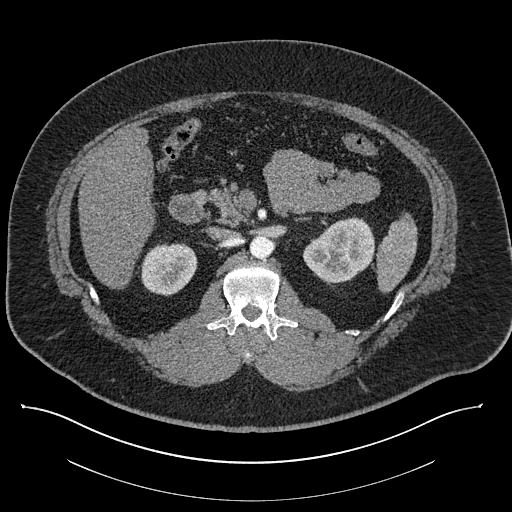
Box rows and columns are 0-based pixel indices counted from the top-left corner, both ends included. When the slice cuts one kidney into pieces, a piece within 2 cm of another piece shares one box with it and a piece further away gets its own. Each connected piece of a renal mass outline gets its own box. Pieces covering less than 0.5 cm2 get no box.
Contrast-enhanced abdominal CT, axial slice 525 of 787 (counted from the lowest slice); 1.00 mm thick, 0.910 mm per pixel. Two kidney boxes on this slice; by box centre, from the image's left to its right: (1) Box rows 243–296, columns 141–197: right kidney (outlined area 2,372 px, about 19.6 cm2). (2) Left kidney at rows 216–283, columns 303–374 (outlined area 3,462 px, about 28.7 cm2). This slice carries no renal mass outline.
Scan settings: 140 kVp, I30f reconstruction kernel.